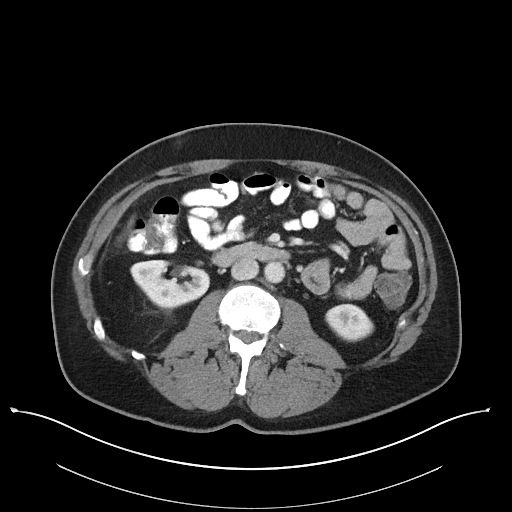
Axial slice 62 of 101 of a contrast-enhanced abdominal CT (slice 1 is the lowest), 100 kVp, kernel I40f; 5.00 mm slice thickness and 0.879 mm pixels.
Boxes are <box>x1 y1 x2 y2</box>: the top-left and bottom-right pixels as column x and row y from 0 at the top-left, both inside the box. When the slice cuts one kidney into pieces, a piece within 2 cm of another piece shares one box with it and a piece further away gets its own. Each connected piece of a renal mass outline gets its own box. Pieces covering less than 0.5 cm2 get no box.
Two kidney boxes on this slice; by box centre, from the image's left to its right: (1) Right kidney: <box>130 259 210 308</box> (outlined area 2,856 px, about 22.1 cm2). (2) Left kidney at <box>325 303 374 342</box> (outlined area 1,402 px, about 10.8 cm2). No renal mass outline on this slice.